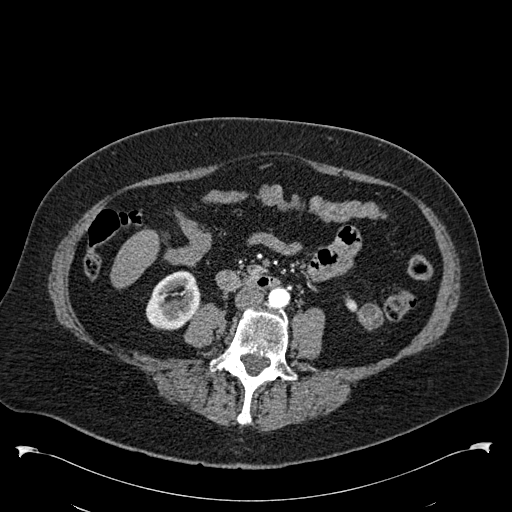
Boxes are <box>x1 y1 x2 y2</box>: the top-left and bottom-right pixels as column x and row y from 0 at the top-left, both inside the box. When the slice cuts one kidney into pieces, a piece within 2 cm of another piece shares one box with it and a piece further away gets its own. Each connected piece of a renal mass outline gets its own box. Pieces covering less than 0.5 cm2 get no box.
This is axial slice 226 of 538 (slice 1 is the lowest) of an arterial-phase abdominal CT with contrast; each pixel is 0.811 mm and the slice is 1.00 mm thick. Three boxes on this slice (two kidney boxes and one renal mass box), listed by box centre from the image's left to its right. (1) Right kidney at <box>146 270 200 330</box> (outlined area 2,407 px, about 15.8 cm2). (2) At <box>345 297 354 309</box>: left kidney (outlined area 80 px, about 0.5 cm2). (3) At <box>350 302 383 330</box>: left renal mass (outlined area 598 px, about 3.9 cm2).
Tube voltage 120 kVp; convolution kernel B30f.